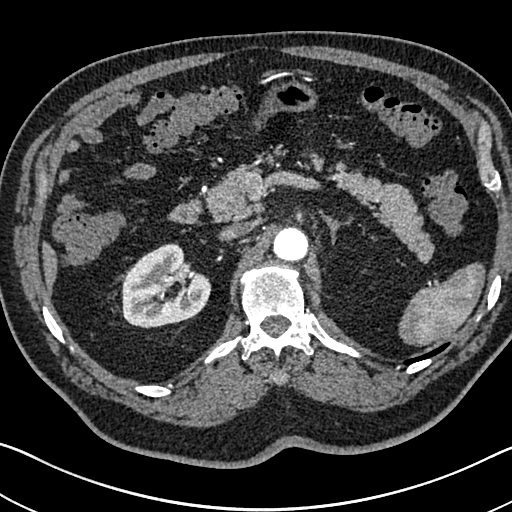
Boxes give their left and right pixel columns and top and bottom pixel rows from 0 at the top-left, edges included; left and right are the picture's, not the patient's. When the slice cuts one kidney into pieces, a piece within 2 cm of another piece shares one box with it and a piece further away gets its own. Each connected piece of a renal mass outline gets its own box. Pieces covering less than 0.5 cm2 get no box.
Slice 483/705 of a contrast-enhanced abdominal CT in the arterial phase, counting up from the lowest; pixel size 0.703 mm, slice thickness 1.00 mm. Box with left 122, top 242, right 211, bottom 328: right kidney (outlined area 5,463 px, about 27.0 cm2). This slice carries no renal mass outline.
Scan settings: 120 kVp, I30f reconstruction kernel.